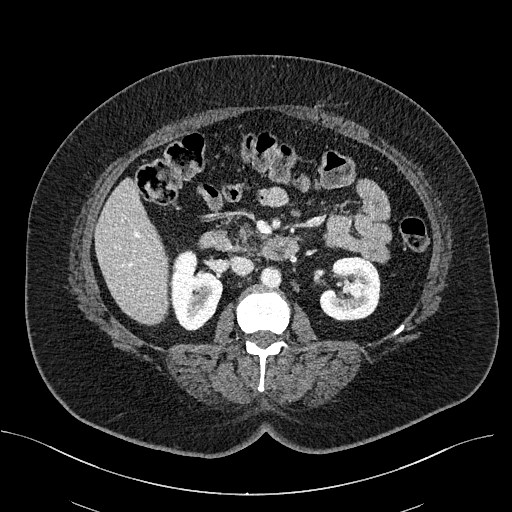
Abdominal CT with intravenous contrast, axial plane, 100 kVp, kernel I40f. Slice 294/470 from the bottom of the scan; thickness 2.00 mm; pixel size 0.824 mm.
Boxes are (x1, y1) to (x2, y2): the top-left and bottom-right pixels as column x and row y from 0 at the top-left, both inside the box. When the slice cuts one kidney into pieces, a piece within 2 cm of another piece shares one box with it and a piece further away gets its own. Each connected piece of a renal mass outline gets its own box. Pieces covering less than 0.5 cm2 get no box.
Two boxes on this slice (two kidney boxes), listed by box centre from the image's left to its right. (1) Box (169, 249) to (223, 330): right kidney (outlined area 3,109 px, about 21.1 cm2). (2) Box (319, 256) to (380, 321): left kidney (outlined area 3,084 px, about 21.0 cm2). No renal mass is outlined on this slice.